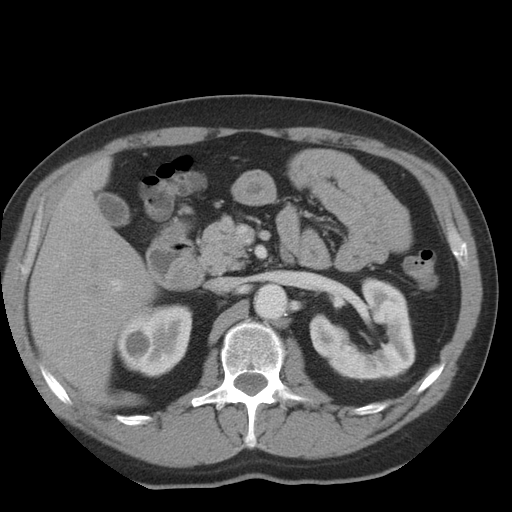
Axial slice 20 of 36 of a contrast-enhanced abdominal CT in the arterial phase (slice 1 is the lowest), 140 kVp, kernel STANDARD; 5.00 mm slice thickness and 0.703 mm pixels.
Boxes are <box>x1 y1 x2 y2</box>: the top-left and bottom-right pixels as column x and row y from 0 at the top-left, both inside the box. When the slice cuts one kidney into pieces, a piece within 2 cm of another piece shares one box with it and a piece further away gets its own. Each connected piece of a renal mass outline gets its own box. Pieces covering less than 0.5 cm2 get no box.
Two kidney boxes on this slice; by box centre, from the image's left to its right: (1) At <box>117 303 192 377</box>: right kidney (outlined area 4,280 px, about 21.2 cm2). (2) Left kidney at <box>309 277 415 382</box> (outlined area 7,195 px, about 35.6 cm2). No renal mass outline on this slice.